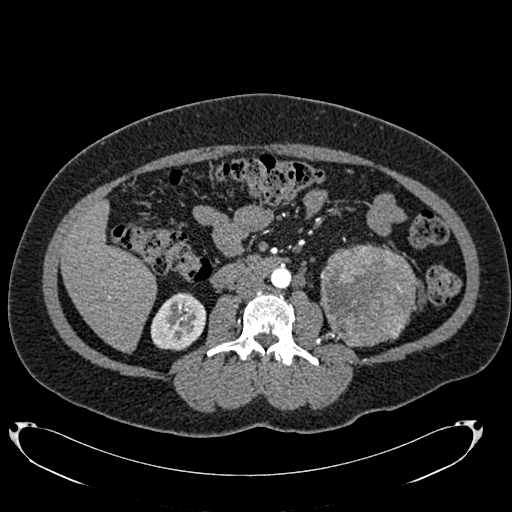
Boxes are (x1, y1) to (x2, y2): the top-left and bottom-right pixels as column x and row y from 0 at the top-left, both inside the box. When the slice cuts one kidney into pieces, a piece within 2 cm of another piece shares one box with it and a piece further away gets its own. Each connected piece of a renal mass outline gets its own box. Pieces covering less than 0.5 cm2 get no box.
Slice 369/634 of a contrast-enhanced abdominal CT in the arterial phase, counting up from the lowest; pixel size 0.838 mm, slice thickness 1.00 mm. One kidney box and one renal mass box on this slice; by box centre, from the image's left to its right: (1) Right kidney from (150, 292) to (206, 350) (outlined area 2,467 px, about 17.3 cm2). (2) Box (320, 243) to (416, 346): left renal mass (outlined area 8,009 px, about 56.2 cm2); it sits over 1 cm from every kidney outline on this slice, but the same outlined renal mass comes within 1 cm of the kidney on another slice.
Acquired at 120 kVp and reconstructed with the B20f kernel.